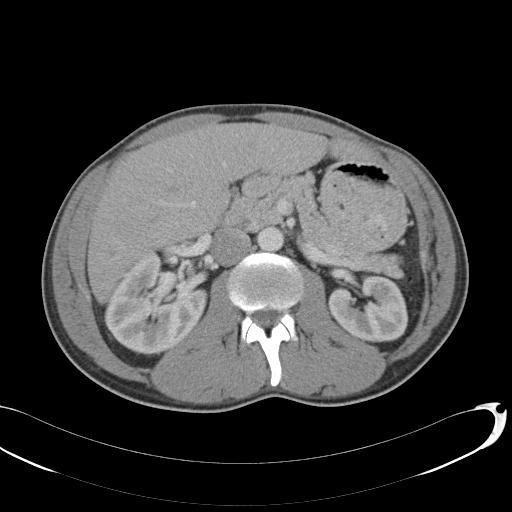
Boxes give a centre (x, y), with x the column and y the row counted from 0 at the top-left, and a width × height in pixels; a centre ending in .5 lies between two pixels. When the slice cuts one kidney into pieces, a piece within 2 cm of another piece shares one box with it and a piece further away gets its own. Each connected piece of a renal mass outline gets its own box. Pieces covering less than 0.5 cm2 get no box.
Slice 65/146 of a contrast-enhanced abdominal CT, counting up from the lowest; pixel size 0.742 mm, slice thickness 5.00 mm. Boxed on this slice (two kidney boxes), listed by box centre from the image's left to its right: (1) Right kidney in a box with centre (155.5, 303), 104 × 103 pixels (outlined area 7,359 px, about 40.5 cm2). (2) Left kidney, box centre (367.5, 309), 82 × 67 pixels (outlined area 4,180 px, about 23.0 cm2). This slice carries no renal mass outline.
Scan settings: 120 kVp, B31f reconstruction kernel.